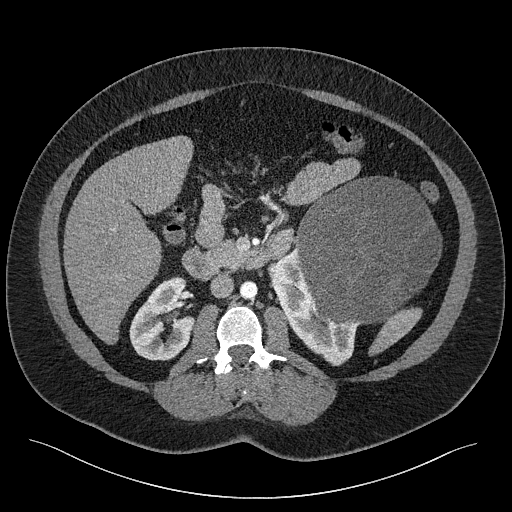
Axial slice 127 of 301 of a contrast-enhanced abdominal CT (slice 1 is the lowest), 120 kVp, kernel I40f; 2.00 mm slice thickness and 0.859 mm pixels.
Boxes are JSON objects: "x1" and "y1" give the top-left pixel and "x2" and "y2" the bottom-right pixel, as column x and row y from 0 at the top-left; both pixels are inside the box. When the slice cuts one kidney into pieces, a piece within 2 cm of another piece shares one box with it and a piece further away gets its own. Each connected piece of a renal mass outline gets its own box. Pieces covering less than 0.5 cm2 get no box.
Three boxes on this slice (two kidney boxes and one renal mass box), listed by box centre from the image's left to its right. (1) Right kidney, box {"x1": 129, "y1": 276, "x2": 194, "y2": 360} (outlined area 3,790 px, about 28.0 cm2). (2) Left kidney, box {"x1": 268, "y1": 245, "x2": 359, "y2": 365} (outlined area 4,166 px, about 30.8 cm2). (3) Box {"x1": 295, "y1": 176, "x2": 441, "y2": 325}: left renal mass (outlined area 16,530 px, about 122.1 cm2).